One axial slice (63 of 106, counting up from the lowest) of an arterial-phase abdominal CT acquired with 120 kVp, kernel STANDARD; each pixel is 0.742 mm and the slice is 2.50 mm thick.
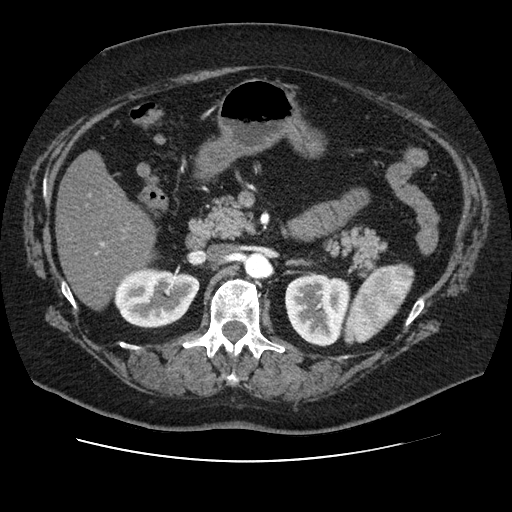
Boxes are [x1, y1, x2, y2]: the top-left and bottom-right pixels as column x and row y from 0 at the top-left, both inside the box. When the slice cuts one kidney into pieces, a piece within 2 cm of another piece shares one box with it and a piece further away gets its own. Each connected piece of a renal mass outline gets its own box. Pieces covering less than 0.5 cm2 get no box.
Boxed on this slice (two kidney boxes), listed by box centre from the image's left to its right: (1) Right kidney at [113, 268, 199, 328] (outlined area 3,965 px, about 21.8 cm2). (2) Box [284, 274, 351, 346]: left kidney (outlined area 3,808 px, about 21.0 cm2). No renal mass outline on this slice.